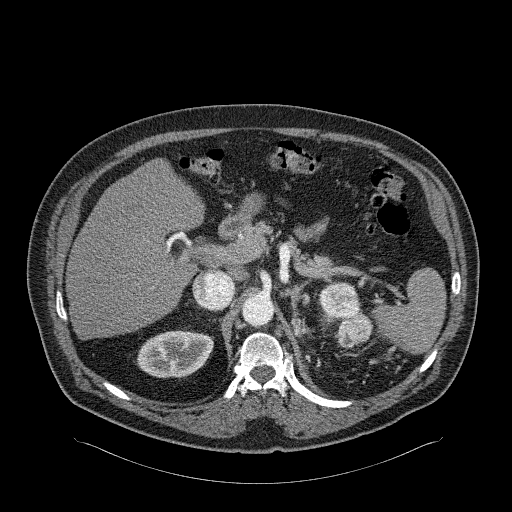
Arterial-phase contrast-enhanced abdominal CT, axial slice 182 of 326 (counted from the lowest slice); tube voltage 120 kVp, convolution kernel B31f; slices 2.00 mm thick, 0.963 mm per pixel.
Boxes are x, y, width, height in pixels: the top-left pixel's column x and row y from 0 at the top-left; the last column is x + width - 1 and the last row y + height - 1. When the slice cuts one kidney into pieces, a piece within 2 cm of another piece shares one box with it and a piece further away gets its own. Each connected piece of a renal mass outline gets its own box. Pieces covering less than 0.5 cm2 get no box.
Boxed on this slice (one kidney box and one renal mass box), listed by box centre from the image's left to its right: (1) Box x 136, y 330, width 78, height 49: right kidney (outlined area 2,910 px, about 27.0 cm2). (2) Box x 318, y 281, width 55, height 68: left renal mass (outlined area 2,385 px, about 22.1 cm2); on this slice it lies more than 1 cm from any kidney outline, but the same outlined renal mass comes within 1 cm of the kidney on another slice.